Abdominal CT with intravenous contrast, arterial phase, axial plane, 120 kVp, kernel B20f. Slice 462/553 from the bottom of the scan; thickness 1.00 mm; pixel size 0.773 mm.
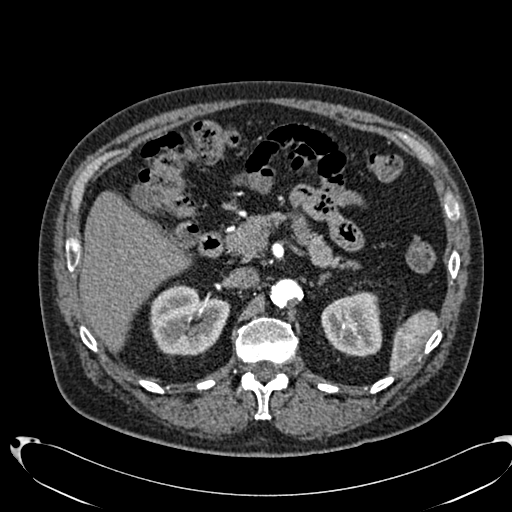
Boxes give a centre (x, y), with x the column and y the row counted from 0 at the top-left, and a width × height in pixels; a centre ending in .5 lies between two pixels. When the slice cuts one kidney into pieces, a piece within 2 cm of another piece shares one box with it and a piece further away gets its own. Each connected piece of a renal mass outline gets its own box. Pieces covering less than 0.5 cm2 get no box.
Boxed on this slice (two kidney boxes), listed by box centre from the image's left to its right: (1) Box centre (189.5, 319.5), 82 × 72 pixels: right kidney (outlined area 4,371 px, about 26.1 cm2). (2) Box centre (351, 323.5), 61 × 66 pixels: left kidney (outlined area 3,140 px, about 18.8 cm2). No renal mass is outlined on this slice.